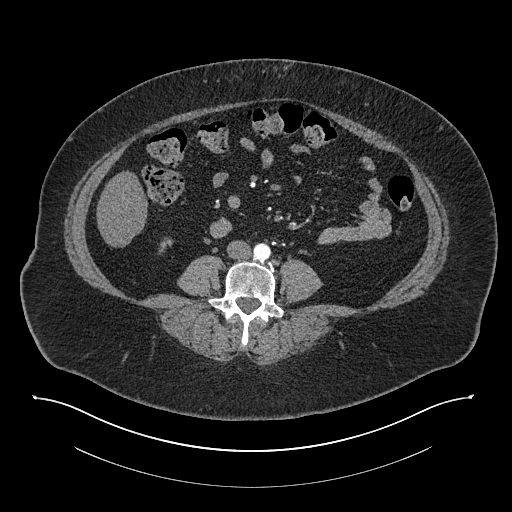
Abdominal CT with intravenous contrast, arterial phase, axial plane, 140 kVp, kernel I30f. Slice 326/673 from the bottom of the scan; thickness 1.00 mm; pixel size 0.957 mm.
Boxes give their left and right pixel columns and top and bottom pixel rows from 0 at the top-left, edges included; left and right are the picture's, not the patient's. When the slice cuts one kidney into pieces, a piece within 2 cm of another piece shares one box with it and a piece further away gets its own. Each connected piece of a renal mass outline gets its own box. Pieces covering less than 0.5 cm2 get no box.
Right kidney in the box with left 159, top 237, right 172, bottom 253 (outlined area 126 px, about 1.2 cm2). No renal mass is outlined on this slice.